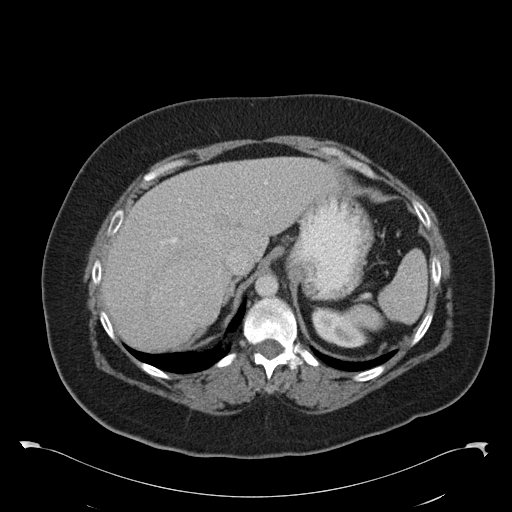
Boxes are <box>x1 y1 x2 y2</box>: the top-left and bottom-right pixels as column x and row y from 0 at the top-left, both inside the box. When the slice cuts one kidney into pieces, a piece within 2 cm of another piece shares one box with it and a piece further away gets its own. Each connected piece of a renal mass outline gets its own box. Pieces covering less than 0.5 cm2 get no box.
Arterial-phase contrast-enhanced abdominal CT, axial slice 76 of 97 (counted from the lowest slice); 5.00 mm thick, 0.824 mm per pixel. Left kidney: <box>311 306 367 348</box> (outlined area 1,578 px, about 10.7 cm2). No renal mass outline on this slice.
Tube voltage 120 kVp; convolution kernel B30f.